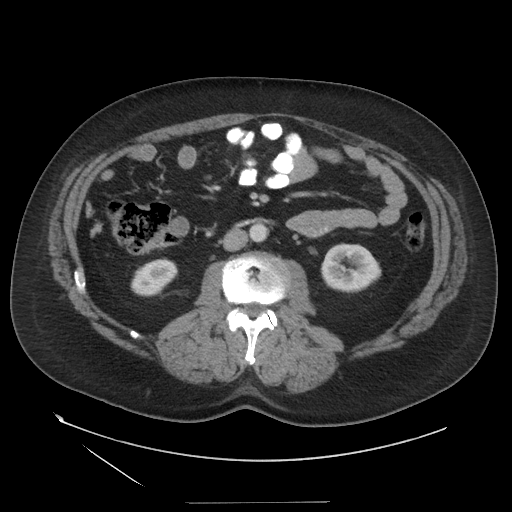
Arterial-phase contrast-enhanced abdominal CT, axial slice 70 of 129 (counted from the lowest slice); tube voltage 140 kVp, convolution kernel STANDARD; slices 3.75 mm thick, 0.938 mm per pixel.
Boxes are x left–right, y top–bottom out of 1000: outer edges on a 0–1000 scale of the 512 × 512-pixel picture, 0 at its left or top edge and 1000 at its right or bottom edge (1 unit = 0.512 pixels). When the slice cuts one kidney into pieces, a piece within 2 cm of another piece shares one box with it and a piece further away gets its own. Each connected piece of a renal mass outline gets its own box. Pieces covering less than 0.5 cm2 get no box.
Boxed on this slice (two kidney boxes), listed by box centre from the image's left to its right: (1) Right kidney, box x 254–348, y 504–580 out of 1000 (outlined area 1,314 px, about 11.5 cm2). (2) Box x 625–746, y 475–574 out of 1000: left kidney (outlined area 2,350 px, about 20.7 cm2). This slice carries no renal mass outline.